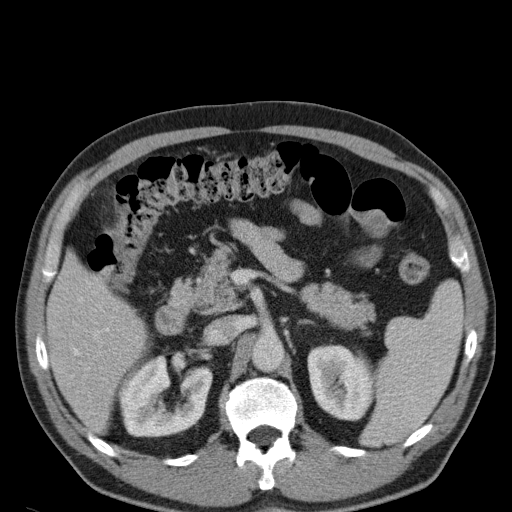
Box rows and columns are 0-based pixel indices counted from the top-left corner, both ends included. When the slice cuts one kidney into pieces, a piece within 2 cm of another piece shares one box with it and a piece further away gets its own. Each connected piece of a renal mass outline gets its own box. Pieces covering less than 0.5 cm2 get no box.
Contrast-enhanced abdominal CT, axial slice 73 of 107 (counted from the lowest slice); 5.00 mm thick, 0.730 mm per pixel. Two kidney boxes on this slice; by box centre, from the image's left to its right: (1) Right kidney, box rows 355–437, columns 115–211 (outlined area 5,669 px, about 30.2 cm2). (2) Left kidney, box rows 344–421, columns 307–373 (outlined area 4,128 px, about 22.0 cm2). No renal mass outline on this slice.
Tube voltage 120 kVp; convolution kernel B31f.